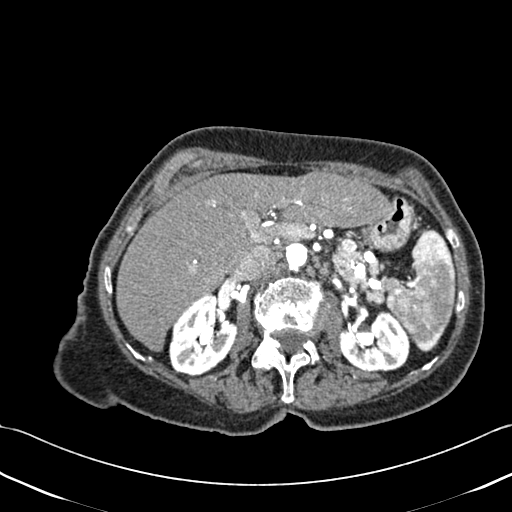
Axial slice 284 of 433 of a contrast-enhanced abdominal CT (slice 1 is the lowest), 120 kVp, kernel B30f; 1.00 mm slice thickness and 0.672 mm pixels.
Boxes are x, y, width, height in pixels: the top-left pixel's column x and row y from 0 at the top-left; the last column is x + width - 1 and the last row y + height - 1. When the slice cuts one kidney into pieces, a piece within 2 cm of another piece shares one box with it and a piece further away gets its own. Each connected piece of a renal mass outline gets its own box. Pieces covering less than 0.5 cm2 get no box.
Two boxes on this slice (two kidney boxes), listed by box centre from the image's left to its right. (1) Right kidney at x 169, y 294, width 69, height 83 (outlined area 3,988 px, about 18.0 cm2). (2) Left kidney, box x 338, y 310, width 72, height 63 (outlined area 3,294 px, about 14.9 cm2). No renal mass is outlined on this slice.